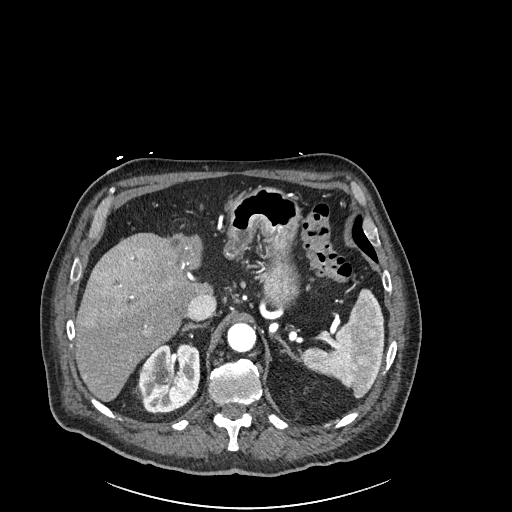
One axial slice (173 of 261, counting up from the lowest) of an arterial-phase abdominal CT acquired with 120 kVp, kernel I30f; each pixel is 0.939 mm and the slice is 2.00 mm thick.
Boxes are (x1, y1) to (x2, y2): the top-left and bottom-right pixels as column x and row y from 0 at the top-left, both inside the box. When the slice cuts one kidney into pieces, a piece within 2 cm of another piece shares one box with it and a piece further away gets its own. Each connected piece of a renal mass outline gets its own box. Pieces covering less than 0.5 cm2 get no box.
Right kidney, box (138, 343) to (200, 413) (outlined area 3,442 px, about 30.4 cm2). No renal mass is outlined on this slice.